One axial slice (236 of 670, counting up from the lowest) of an arterial-phase abdominal CT acquired with 120 kVp, kernel I30f; each pixel is 0.861 mm and the slice is 1.00 mm thick.
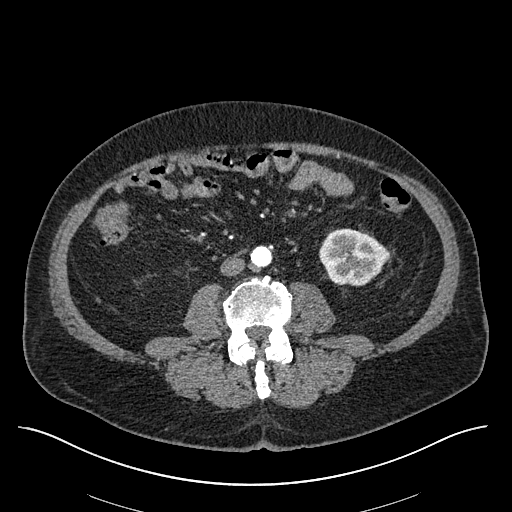
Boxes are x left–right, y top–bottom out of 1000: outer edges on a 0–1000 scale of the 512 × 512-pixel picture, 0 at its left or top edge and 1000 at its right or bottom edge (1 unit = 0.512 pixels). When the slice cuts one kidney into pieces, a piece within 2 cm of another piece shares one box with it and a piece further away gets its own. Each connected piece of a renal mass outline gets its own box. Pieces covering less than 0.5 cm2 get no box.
Left kidney at x 623–760, y 445–559 out of 1000 (outlined area 3,046 px, about 22.6 cm2). No renal mass is outlined on this slice.